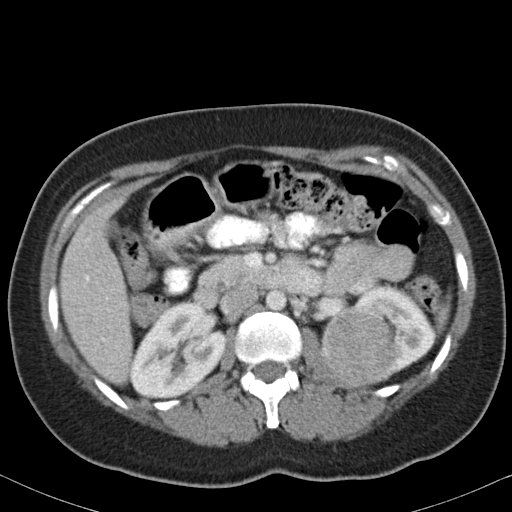
Axial slice 62 of 82 of a contrast-enhanced abdominal CT in the arterial phase (slice 1 is the lowest), 120 kVp, kernel B31f; 5.00 mm slice thickness and 0.625 mm pixels.
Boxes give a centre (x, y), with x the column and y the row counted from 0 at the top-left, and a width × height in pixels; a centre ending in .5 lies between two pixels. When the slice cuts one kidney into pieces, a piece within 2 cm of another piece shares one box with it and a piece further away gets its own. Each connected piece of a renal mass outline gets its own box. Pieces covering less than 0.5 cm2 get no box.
Three boxes on this slice (two kidney boxes and one renal mass box), listed by box centre from the image's left to its right. (1) Right kidney, box centre (178.5, 350.5), 100 × 98 pixels (outlined area 6,665 px, about 26.0 cm2). (2) Left renal mass, box centre (357.5, 347.5), 72 × 82 pixels (outlined area 4,590 px, about 17.9 cm2). (3) Left kidney, box centre (393, 332.5), 87 × 100 pixels (outlined area 3,579 px, about 14.0 cm2).